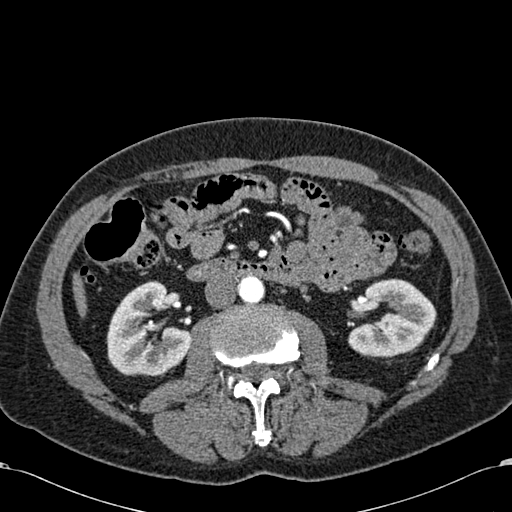
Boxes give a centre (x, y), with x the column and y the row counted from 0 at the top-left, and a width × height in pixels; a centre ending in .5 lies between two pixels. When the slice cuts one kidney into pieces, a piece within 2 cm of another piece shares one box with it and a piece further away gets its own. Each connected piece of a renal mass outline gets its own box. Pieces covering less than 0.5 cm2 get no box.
Slice 314/581 of a contrast-enhanced abdominal CT in the arterial phase, counting up from the lowest; pixel size 0.713 mm, slice thickness 1.00 mm. Boxed on this slice (two kidney boxes), listed by box centre from the image's left to its right: (1) Right kidney, box centre (148.5, 328), 86 × 95 pixels (outlined area 5,544 px, about 28.2 cm2). (2) Left kidney in a box with centre (392, 317.5), 89 × 80 pixels (outlined area 5,095 px, about 25.9 cm2). No renal mass outline on this slice.
Acquired at 120 kVp and reconstructed with the B30f kernel.